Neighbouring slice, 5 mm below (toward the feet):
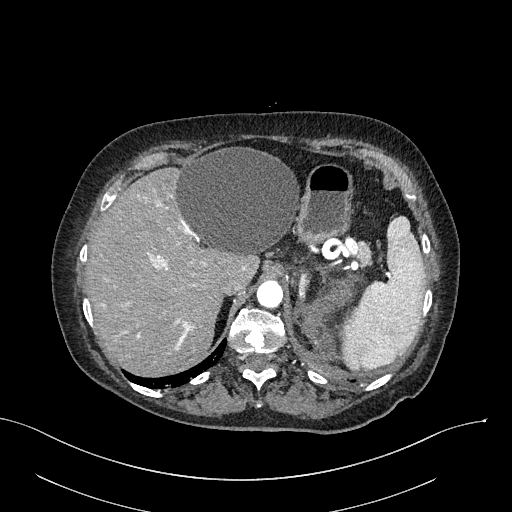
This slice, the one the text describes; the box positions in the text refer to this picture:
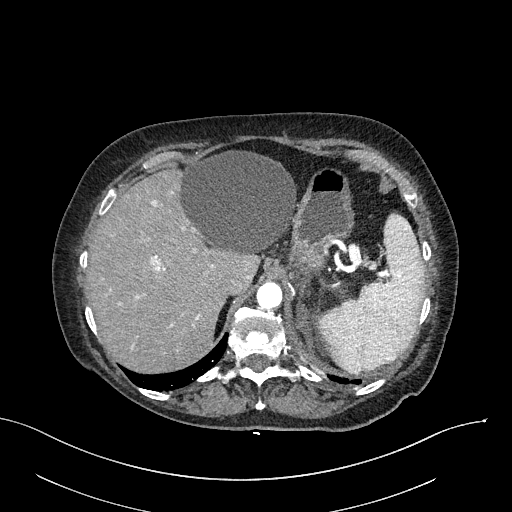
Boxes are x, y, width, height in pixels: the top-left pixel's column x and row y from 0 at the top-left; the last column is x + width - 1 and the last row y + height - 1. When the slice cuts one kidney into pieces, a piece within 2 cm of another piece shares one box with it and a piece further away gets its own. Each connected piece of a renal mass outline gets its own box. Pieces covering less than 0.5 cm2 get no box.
Slice 220/316 of a contrast-enhanced abdominal CT in the arterial phase, counting up from the lowest; pixel size 0.840 mm, slice thickness 2.00 mm. Left renal mass at x 296, y 301, width 25, height 47 (outlined area 696 px, about 4.9 cm2); no kidney is outlined on this slice, but the same outlined renal mass comes within 1 cm of the kidney on another slice. This slice lies near the end of the left renal mass toward the head; the slice 5 mm below it is shown too, and the boxes mark positions on this slice only.
Tube voltage 100 kVp; convolution kernel I40f.